Arterial-phase contrast-enhanced abdominal CT, axial slice 438 of 705 (counted from the lowest slice); tube voltage 120 kVp, convolution kernel I30f; slices 1.00 mm thick, 0.703 mm per pixel.
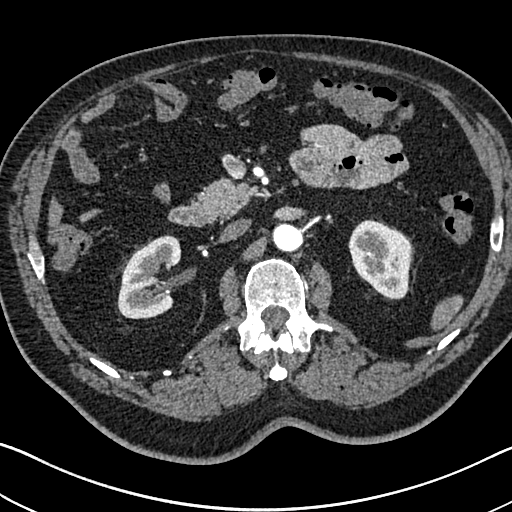
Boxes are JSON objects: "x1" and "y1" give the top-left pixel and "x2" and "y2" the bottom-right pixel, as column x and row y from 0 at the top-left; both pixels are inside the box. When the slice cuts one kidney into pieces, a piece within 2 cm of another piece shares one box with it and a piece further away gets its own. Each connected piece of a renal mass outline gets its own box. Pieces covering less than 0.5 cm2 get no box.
Boxed on this slice (two kidney boxes), listed by box centre from the image's left to its right: (1) Box {"x1": 117, "y1": 235, "x2": 181, "y2": 319}: right kidney (outlined area 3,866 px, about 19.1 cm2). (2) Left kidney, box {"x1": 348, "y1": 219, "x2": 412, "y2": 298} (outlined area 3,799 px, about 18.8 cm2). No renal mass is outlined on this slice.